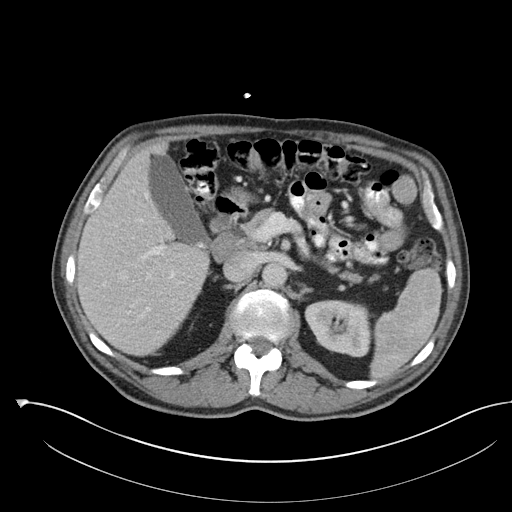
One axial slice (74 of 142, counting up from the lowest) of a contrast-enhanced abdominal CT acquired with 100 kVp, kernel I30f; each pixel is 0.855 mm and the slice is 5.00 mm thick.
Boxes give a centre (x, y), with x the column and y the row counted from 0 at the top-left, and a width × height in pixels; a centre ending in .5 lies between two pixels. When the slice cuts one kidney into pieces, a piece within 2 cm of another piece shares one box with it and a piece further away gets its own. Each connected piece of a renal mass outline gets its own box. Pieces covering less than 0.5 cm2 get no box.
Left kidney in a box with centre (338, 328.5), 69 × 58 pixels (outlined area 3,082 px, about 22.6 cm2). No renal mass is outlined on this slice.